One axial slice (65 of 76, counting up from the lowest) of a contrast-enhanced abdominal CT acquired with 120 kVp, kernel B; each pixel is 0.684 mm and the slice is 3.00 mm thick.
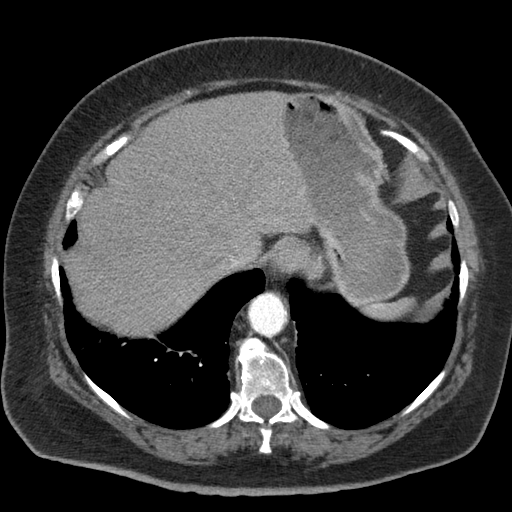
Neither a kidney nor a renal mass is outlined here. Only kidneys and renal masses are outlined anywhere in this scan; other structures are never outlined.